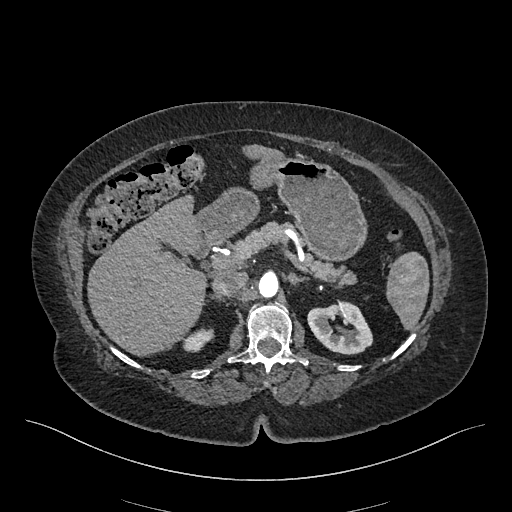
Abdominal CT with intravenous contrast, arterial phase, axial plane, 120 kVp, kernel I26f. Slice 315/548 from the bottom of the scan; thickness 1.00 mm; pixel size 0.852 mm.
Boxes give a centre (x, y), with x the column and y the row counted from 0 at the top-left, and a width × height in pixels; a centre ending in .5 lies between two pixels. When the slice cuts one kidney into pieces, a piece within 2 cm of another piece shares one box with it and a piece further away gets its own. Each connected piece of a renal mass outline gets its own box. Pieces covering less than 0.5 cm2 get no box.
Boxed on this slice (two kidney boxes), listed by box centre from the image's left to its right: (1) Right kidney in a box with centre (198.5, 340), 32 × 25 pixels (outlined area 506 px, about 3.7 cm2). (2) Box centre (339.5, 327.5), 66 × 54 pixels: left kidney (outlined area 2,434 px, about 17.7 cm2). This slice carries no renal mass outline.